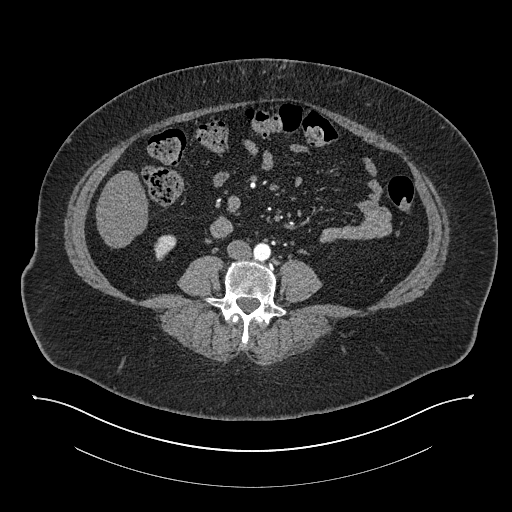
One axial slice (329 of 673, counting up from the lowest) of an arterial-phase abdominal CT acquired with 140 kVp, kernel I30f; each pixel is 0.957 mm and the slice is 1.00 mm thick.
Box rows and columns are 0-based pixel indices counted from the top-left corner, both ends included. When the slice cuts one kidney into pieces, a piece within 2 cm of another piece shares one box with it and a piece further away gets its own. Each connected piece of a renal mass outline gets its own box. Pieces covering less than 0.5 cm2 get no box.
Right kidney, box rows 234–260, columns 154–176 (outlined area 402 px, about 3.7 cm2). No renal mass is outlined on this slice.